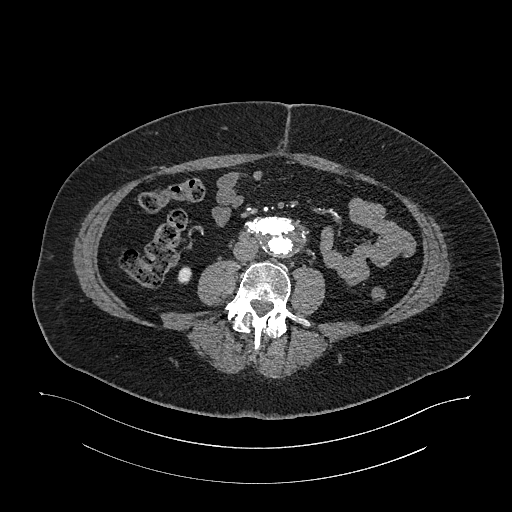
Axial slice 526 of 987 of a contrast-enhanced abdominal CT in the arterial phase (slice 1 is the lowest), 120 kVp, kernel I26f; 1.00 mm slice thickness and 0.977 mm pixels.
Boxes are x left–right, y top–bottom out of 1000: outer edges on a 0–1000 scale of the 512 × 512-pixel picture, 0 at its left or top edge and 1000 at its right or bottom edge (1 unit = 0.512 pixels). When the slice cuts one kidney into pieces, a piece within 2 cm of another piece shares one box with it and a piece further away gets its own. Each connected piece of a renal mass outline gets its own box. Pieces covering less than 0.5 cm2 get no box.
Box x 346–375, y 520–555 out of 1000: right kidney (outlined area 204 px, about 1.9 cm2). No renal mass outline on this slice.